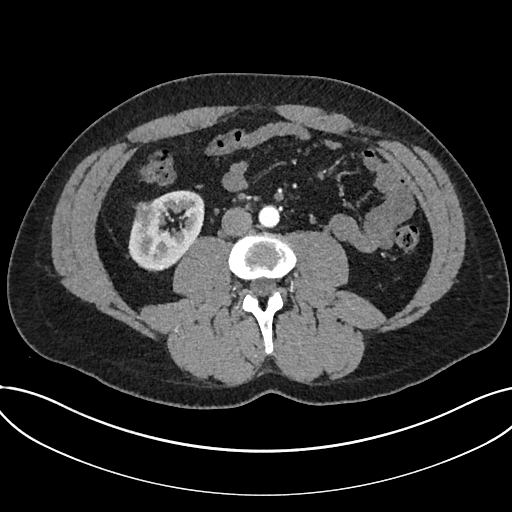
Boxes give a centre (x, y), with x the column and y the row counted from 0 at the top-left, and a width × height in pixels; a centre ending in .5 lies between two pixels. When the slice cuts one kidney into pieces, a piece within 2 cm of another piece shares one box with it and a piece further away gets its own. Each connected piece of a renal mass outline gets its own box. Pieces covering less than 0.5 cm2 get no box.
Slice 317/735 of a contrast-enhanced abdominal CT in the arterial phase, counting up from the lowest; pixel size 0.789 mm, slice thickness 1.00 mm. Boxed on this slice (one kidney box and one renal mass box), listed by box centre from the image's left to its right: (1) Renal mass in a box with centre (146, 212), 25 × 23 pixels (outlined area 450 px, about 2.8 cm2). (2) Box centre (166, 230), 77 × 81 pixels: kidney (outlined area 3,992 px, about 24.9 cm2).
Scan settings: 120 kVp, I30f reconstruction kernel.